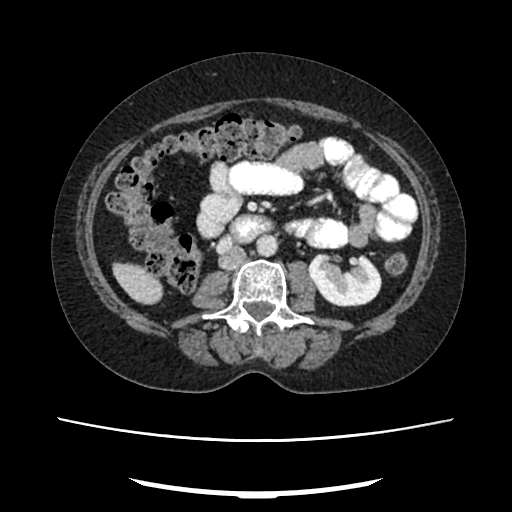
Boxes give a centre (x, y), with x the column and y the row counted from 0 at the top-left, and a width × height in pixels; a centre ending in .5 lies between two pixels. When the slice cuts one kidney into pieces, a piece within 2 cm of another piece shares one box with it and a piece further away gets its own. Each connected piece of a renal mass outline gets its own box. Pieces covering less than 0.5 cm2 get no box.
Arterial-phase contrast-enhanced abdominal CT, axial slice 121 of 207 (counted from the lowest slice); 2.00 mm thick, 0.741 mm per pixel. Box centre (344, 279), 75 × 55 pixels: left kidney (outlined area 3,027 px, about 16.6 cm2). This slice carries no renal mass outline.
Scan settings: 120 kVp, FC18 reconstruction kernel.